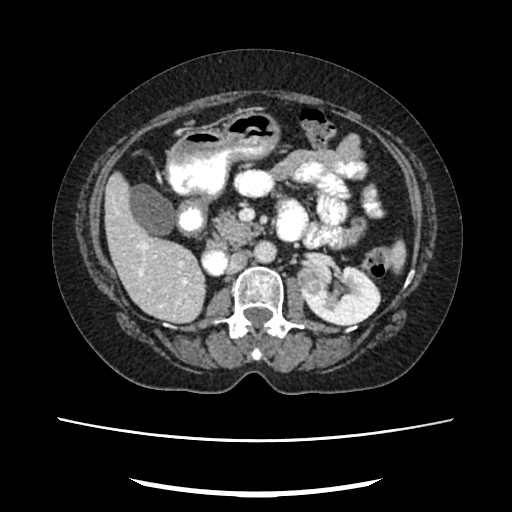
Abdominal CT with intravenous contrast, arterial phase, axial plane, 120 kVp, kernel FC18. Slice 138/207 from the bottom of the scan; thickness 2.00 mm; pixel size 0.741 mm.
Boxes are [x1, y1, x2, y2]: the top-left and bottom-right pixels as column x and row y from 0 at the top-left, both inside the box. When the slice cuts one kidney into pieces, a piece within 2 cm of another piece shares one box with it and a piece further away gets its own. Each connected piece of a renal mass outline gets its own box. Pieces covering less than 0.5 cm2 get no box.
Boxed on this slice (one kidney box and one renal mass box), listed by box centre from the image's left to its right: (1) Left renal mass at [296, 266, 321, 294] (outlined area 473 px, about 2.6 cm2). (2) Left kidney at [299, 265, 381, 326] (outlined area 3,440 px, about 18.9 cm2).